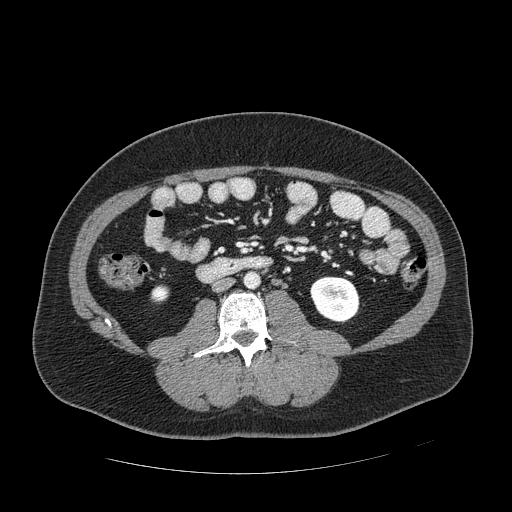
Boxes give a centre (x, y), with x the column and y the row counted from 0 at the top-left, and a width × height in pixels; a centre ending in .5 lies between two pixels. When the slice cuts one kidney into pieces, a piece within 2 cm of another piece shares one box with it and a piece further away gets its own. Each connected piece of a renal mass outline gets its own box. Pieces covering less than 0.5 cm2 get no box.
Slice 222/389 of a contrast-enhanced abdominal CT in the arterial phase, counting up from the lowest; pixel size 0.869 mm, slice thickness 1.25 mm. Boxed on this slice (two kidney boxes), listed by box centre from the image's left to its right: (1) Box centre (159.5, 294), 20 × 21 pixels: right kidney (outlined area 305 px, about 2.3 cm2). (2) Left kidney in a box with centre (334.5, 299.5), 50 × 48 pixels (outlined area 1,841 px, about 13.9 cm2). This slice carries no renal mass outline.
Tube voltage 120 kVp; convolution kernel STANDARD.